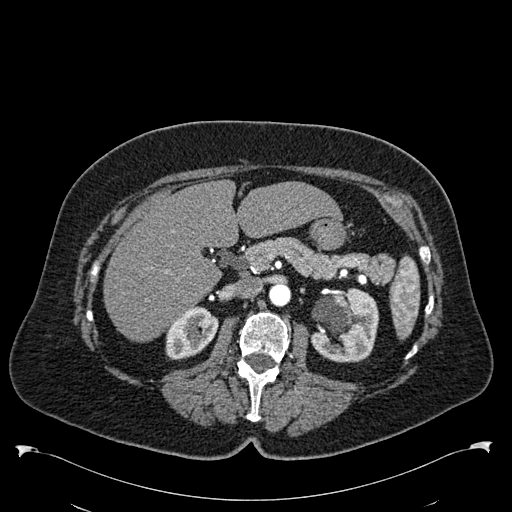
Arterial-phase contrast-enhanced abdominal CT, axial slice 352 of 538 (counted from the lowest slice); tube voltage 120 kVp, convolution kernel B30f; slices 1.00 mm thick, 0.811 mm per pixel.
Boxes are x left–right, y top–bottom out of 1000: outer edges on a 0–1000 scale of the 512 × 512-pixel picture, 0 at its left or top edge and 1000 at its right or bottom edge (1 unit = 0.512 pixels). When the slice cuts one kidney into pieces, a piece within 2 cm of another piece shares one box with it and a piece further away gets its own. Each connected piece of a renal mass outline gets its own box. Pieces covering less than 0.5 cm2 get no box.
Two boxes on this slice (two kidney boxes), listed by box centre from the image's left to its right. (1) Right kidney at x 322–428, y 596–705 out of 1000 (outlined area 2,028 px, about 13.3 cm2). (2) Left kidney, box x 604–742, y 563–709 out of 1000 (outlined area 3,950 px, about 26.0 cm2). No renal mass is outlined on this slice.